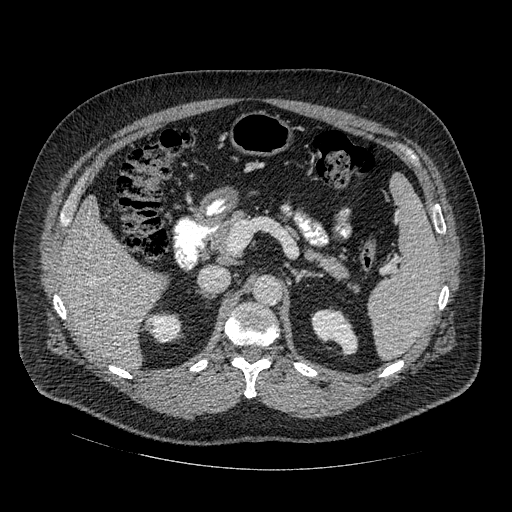
One axial slice (310 of 445, counting up from the lowest) of an arterial-phase abdominal CT acquired with 120 kVp, kernel STANDARD; each pixel is 0.863 mm and the slice is 1.25 mm thick.
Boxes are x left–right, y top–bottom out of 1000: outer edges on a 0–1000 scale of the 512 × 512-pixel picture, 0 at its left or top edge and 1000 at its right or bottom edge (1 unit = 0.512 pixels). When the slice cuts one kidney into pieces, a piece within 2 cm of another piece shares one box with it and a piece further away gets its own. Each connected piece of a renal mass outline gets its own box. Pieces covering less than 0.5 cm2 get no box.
Boxed on this slice (two kidney boxes), listed by box centre from the image's left to its right: (1) Right kidney at x 283–355, y 611–670 out of 1000 (outlined area 859 px, about 6.4 cm2). (2) Left kidney, box x 609–701, y 600–695 out of 1000 (outlined area 1,394 px, about 10.4 cm2). No renal mass is outlined on this slice.